Arterial-phase contrast-enhanced abdominal CT, axial slice 485 of 591 (counted from the lowest slice); tube voltage 140 kVp, convolution kernel I30f; slices 1.00 mm thick, 0.703 mm per pixel.
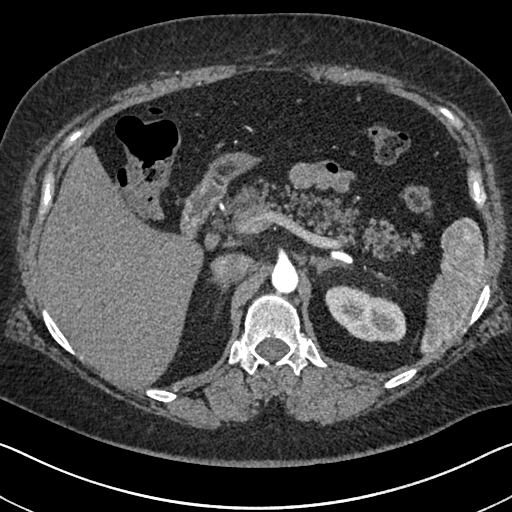
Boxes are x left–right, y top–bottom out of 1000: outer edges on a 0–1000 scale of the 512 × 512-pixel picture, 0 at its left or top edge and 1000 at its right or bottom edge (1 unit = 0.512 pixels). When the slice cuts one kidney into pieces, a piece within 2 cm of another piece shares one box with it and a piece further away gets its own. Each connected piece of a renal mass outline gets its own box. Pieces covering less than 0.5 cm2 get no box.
Left kidney, box x 635–795, y 557–672 out of 1000 (outlined area 3,312 px, about 16.4 cm2). This slice carries no renal mass outline.